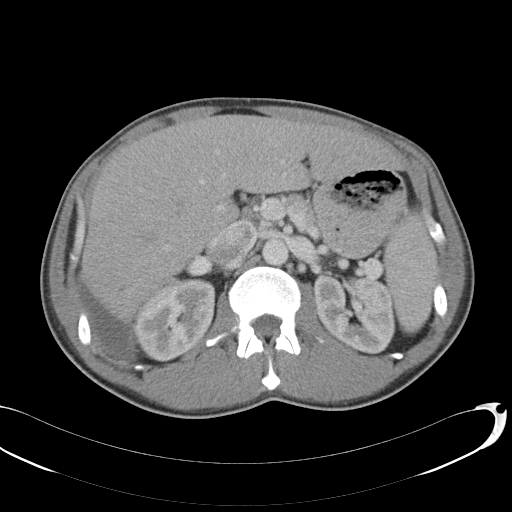
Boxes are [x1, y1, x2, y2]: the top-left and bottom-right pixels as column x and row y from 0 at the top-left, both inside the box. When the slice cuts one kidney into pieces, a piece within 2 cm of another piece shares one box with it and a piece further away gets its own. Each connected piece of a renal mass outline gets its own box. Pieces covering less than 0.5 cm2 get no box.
Slice 71/146 of a contrast-enhanced abdominal CT, counting up from the lowest; pixel size 0.742 mm, slice thickness 5.00 mm. Boxed on this slice (two kidney boxes), listed by box centre from the image's left to its right: (1) Right kidney, box [137, 278, 215, 362] (outlined area 4,976 px, about 27.4 cm2). (2) Left kidney, box [314, 274, 395, 354] (outlined area 5,128 px, about 28.2 cm2). No renal mass is outlined on this slice.
Acquired at 120 kVp and reconstructed with the B31f kernel.